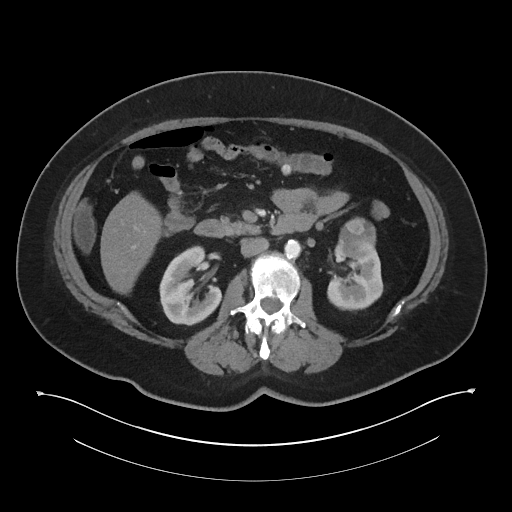
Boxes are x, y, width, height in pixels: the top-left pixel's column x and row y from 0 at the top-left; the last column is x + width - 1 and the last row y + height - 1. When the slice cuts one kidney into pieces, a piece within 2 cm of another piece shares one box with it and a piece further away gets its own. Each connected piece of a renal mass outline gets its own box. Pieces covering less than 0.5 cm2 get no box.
Slice 22/60 of a contrast-enhanced abdominal CT, counting up from the lowest; pixel size 0.971 mm, slice thickness 5.00 mm. Boxed on this slice (two kidney boxes and one renal mass box), listed by box centre from the image's left to its right: (1) Right kidney, box x 159, y 245, width 64, height 81 (outlined area 3,491 px, about 32.9 cm2). (2) Box x 327, y 238, width 57, height 73: left kidney (outlined area 2,648 px, about 25.0 cm2). (3) Box x 339, y 217, width 37, height 43: left renal mass (outlined area 1,234 px, about 11.6 cm2).
Scan settings: 120 kVp, I30f reconstruction kernel.